One axial slice (88 of 159, counting up from the lowest) of a contrast-enhanced abdominal CT acquired with 120 kVp, kernel FC13; each pixel is 0.668 mm and the slice is 3.00 mm thick.
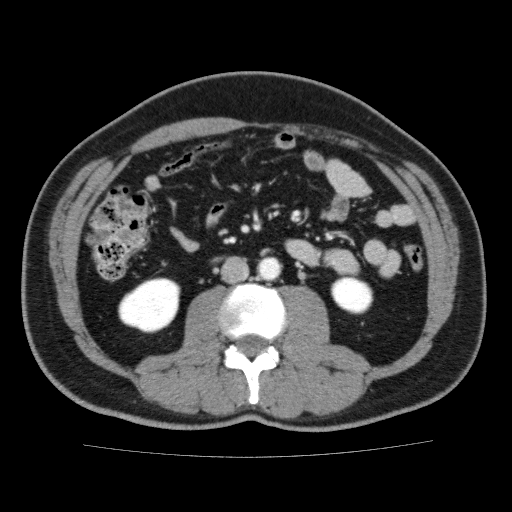
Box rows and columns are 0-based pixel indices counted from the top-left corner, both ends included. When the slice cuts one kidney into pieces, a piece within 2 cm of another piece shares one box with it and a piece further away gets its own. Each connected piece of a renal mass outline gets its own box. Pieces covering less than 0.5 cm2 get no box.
Two boxes on this slice (two kidney boxes), listed by box centre from the image's left to its right. (1) Right kidney, box rows 277–333, columns 118–180 (outlined area 2,660 px, about 11.9 cm2). (2) Left kidney, box rows 276–314, columns 330–373 (outlined area 1,286 px, about 5.7 cm2). No renal mass is outlined on this slice.